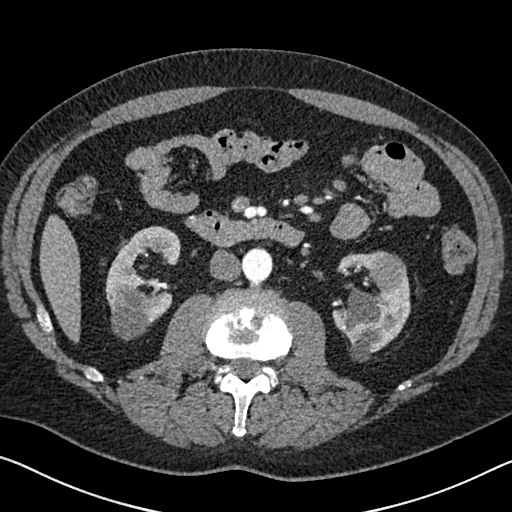
One axial slice (349 of 626, counting up from the lowest) of an arterial-phase abdominal CT acquired with 120 kVp, kernel I30f; each pixel is 0.703 mm and the slice is 1.00 mm thick.
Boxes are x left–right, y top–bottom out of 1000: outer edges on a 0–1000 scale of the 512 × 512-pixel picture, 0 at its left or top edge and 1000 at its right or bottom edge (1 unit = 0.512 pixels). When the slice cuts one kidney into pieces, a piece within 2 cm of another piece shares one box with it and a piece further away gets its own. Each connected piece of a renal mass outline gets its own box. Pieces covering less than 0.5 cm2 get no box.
Two kidney boxes and one renal mass box on this slice; by box centre, from the image's left to its right: (1) Right kidney at x 205–354, y 441–666 out of 1000 (outlined area 5,261 px, about 26.0 cm2). (2) Left kidney, box x 648–803, y 488–709 out of 1000 (outlined area 4,926 px, about 24.4 cm2). (3) Box x 721–793, y 488–570 out of 1000: left renal mass (outlined area 1,055 px, about 5.2 cm2).